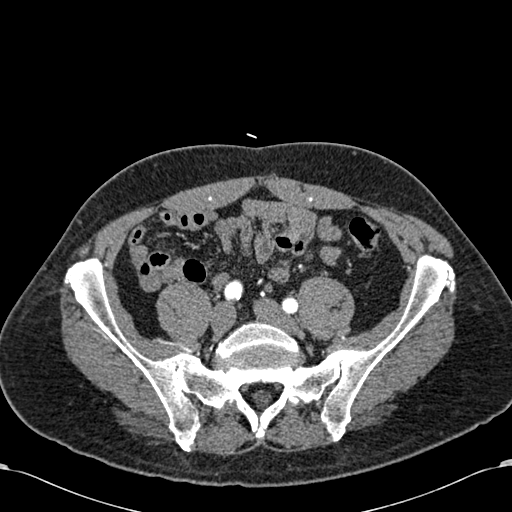
One axial slice (98 of 581, counting up from the lowest) of an arterial-phase abdominal CT acquired with 120 kVp, kernel B30f; each pixel is 0.713 mm and the slice is 1.00 mm thick.
This slice carries no outline: it lies beyond the outlined kidneys and beyond every outlined renal mass. Other organs are not outlined in this scan.